Arterial-phase contrast-enhanced abdominal CT, axial slice 329 of 602 (counted from the lowest slice); tube voltage 120 kVp, convolution kernel I30f; slices 1.00 mm thick, 0.799 mm per pixel.
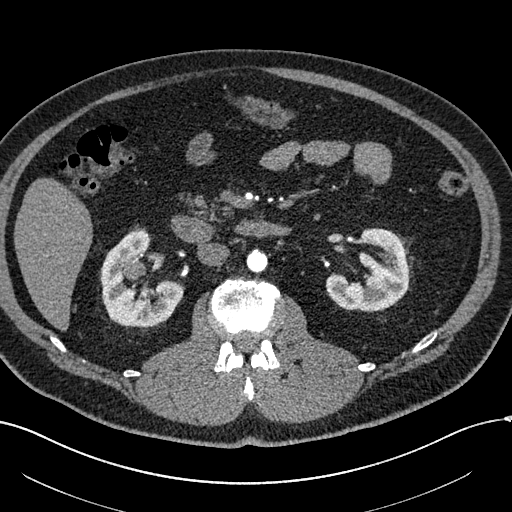
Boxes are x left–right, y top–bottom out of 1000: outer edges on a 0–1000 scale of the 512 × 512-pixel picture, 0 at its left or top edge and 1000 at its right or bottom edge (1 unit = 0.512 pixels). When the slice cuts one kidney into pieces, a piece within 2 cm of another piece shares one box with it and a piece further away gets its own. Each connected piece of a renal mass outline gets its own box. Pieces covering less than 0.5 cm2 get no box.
Three boxes on this slice (two kidney boxes and one renal mass box), listed by box centre from the image's left to its right. (1) Box x 244–285, y 504–543 out of 1000: right renal mass (outlined area 325 px, about 2.1 cm2). (2) Right kidney at x 197–359, y 447–641 out of 1000 (outlined area 4,904 px, about 31.3 cm2). (3) Left kidney, box x 635–801, y 445–609 out of 1000 (outlined area 4,347 px, about 27.7 cm2).